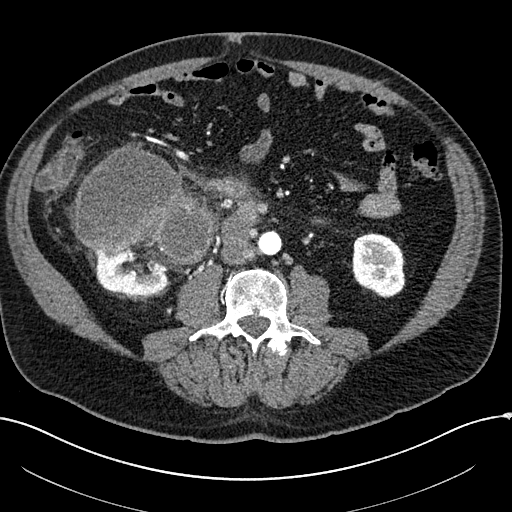
One axial slice (63 of 304, counting up from the lowest) of an arterial-phase abdominal CT acquired with 100 kVp, kernel I30f; each pixel is 0.809 mm and the slice is 2.00 mm thick.
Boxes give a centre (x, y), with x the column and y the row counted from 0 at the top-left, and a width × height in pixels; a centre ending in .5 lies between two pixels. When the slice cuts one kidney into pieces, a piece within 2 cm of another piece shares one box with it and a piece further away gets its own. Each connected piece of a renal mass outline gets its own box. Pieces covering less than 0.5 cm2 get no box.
Three boxes on this slice (two kidney boxes and one renal mass box), listed by box centre from the image's left to its right. (1) Box centre (130, 273), 77 × 47 pixels: right kidney (outlined area 2,606 px, about 17.0 cm2). (2) Right renal mass in a box with centre (144, 207), 141 × 125 pixels (outlined area 12,218 px, about 79.9 cm2). (3) Box centre (378, 264.5), 55 × 66 pixels: left kidney (outlined area 2,799 px, about 18.3 cm2).